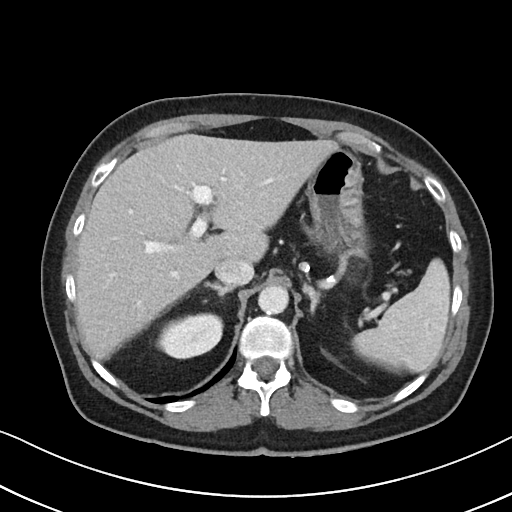
One axial slice (70 of 88, counting up from the lowest) of a contrast-enhanced abdominal CT acquired with 100 kVp, kernel I40f; each pixel is 0.674 mm and the slice is 5.00 mm thick.
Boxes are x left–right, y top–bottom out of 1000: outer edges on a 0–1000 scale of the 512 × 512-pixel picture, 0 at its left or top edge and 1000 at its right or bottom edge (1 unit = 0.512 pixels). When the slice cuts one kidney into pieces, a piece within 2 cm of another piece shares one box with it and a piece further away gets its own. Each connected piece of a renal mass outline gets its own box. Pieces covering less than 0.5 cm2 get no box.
Right kidney, box x 303–438, y 609–703 out of 1000 (outlined area 2,427 px, about 11.0 cm2). No renal mass is outlined on this slice.